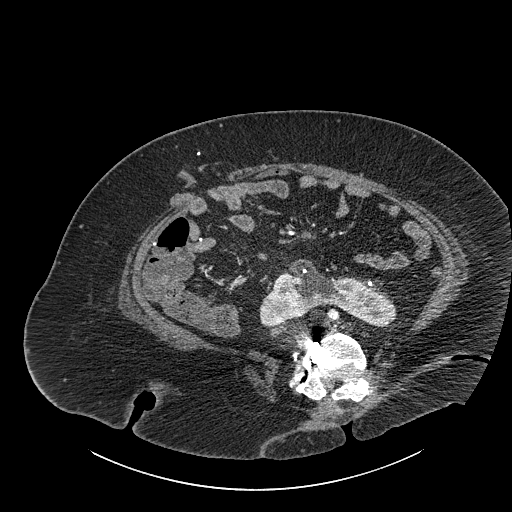
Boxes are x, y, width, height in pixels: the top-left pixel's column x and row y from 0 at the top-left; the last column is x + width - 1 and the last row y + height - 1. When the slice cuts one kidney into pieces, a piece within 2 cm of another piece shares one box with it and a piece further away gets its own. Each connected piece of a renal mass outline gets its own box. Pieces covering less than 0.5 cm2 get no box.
Slice 451/834 of a contrast-enhanced abdominal CT, counting up from the lowest; pixel size 0.977 mm, slice thickness 1.00 mm. Box x 259, y 259, width 138, height 71: kidney crossing the body midline (outlined area 5,389 px, about 51.4 cm2). No renal mass outline on this slice.
Tube voltage 140 kVp; convolution kernel I30f.